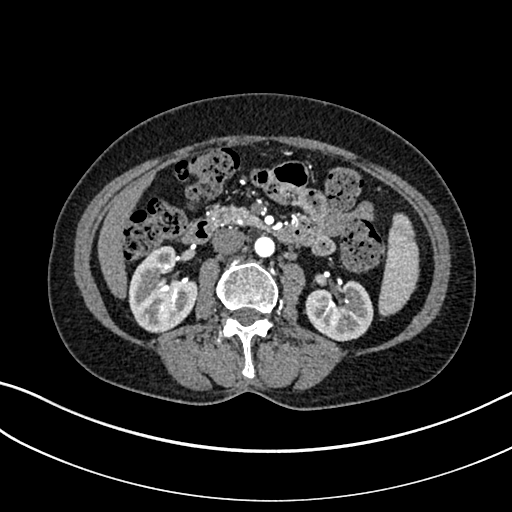
Arterial-phase contrast-enhanced abdominal CT, axial slice 147 of 325 (counted from the lowest slice); tube voltage 100 kVp, convolution kernel I30f; slices 1.00 mm thick, 0.703 mm per pixel.
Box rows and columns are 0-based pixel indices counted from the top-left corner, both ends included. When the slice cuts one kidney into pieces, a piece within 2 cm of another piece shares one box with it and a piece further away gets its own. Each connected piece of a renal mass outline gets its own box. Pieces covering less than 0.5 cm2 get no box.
Two kidney boxes on this slice; by box centre, from the image's left to its right: (1) Box rows 245–333, columns 128–197: right kidney (outlined area 4,251 px, about 21.0 cm2). (2) Box rows 280–341, columns 304–373: left kidney (outlined area 3,188 px, about 15.8 cm2). No renal mass is outlined on this slice.